One axial slice (31 of 301, counting up from the lowest) of a contrast-enhanced abdominal CT acquired with 120 kVp, kernel I40f; each pixel is 0.859 mm and the slice is 2.00 mm thick.
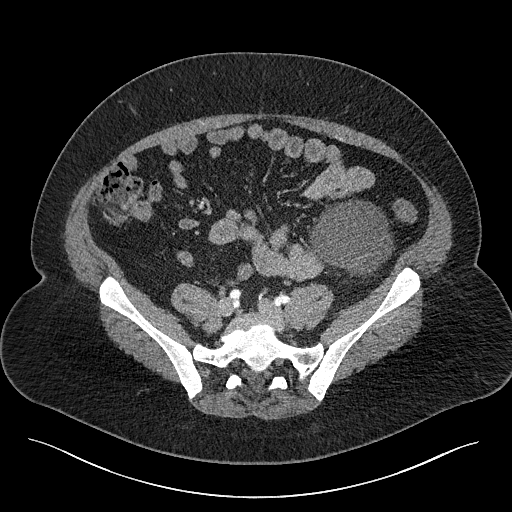
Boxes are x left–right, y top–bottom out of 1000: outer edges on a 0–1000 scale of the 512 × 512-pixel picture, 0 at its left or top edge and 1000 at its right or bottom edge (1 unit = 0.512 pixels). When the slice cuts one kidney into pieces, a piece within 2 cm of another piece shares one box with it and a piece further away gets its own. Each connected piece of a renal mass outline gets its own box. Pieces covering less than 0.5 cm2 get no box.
Box x 604–771, y 389–541 out of 1000: left renal mass (outlined area 4,753 px, about 35.1 cm2); no kidney is outlined on this slice, but the same outlined renal mass comes within 1 cm of the kidney on another slice.